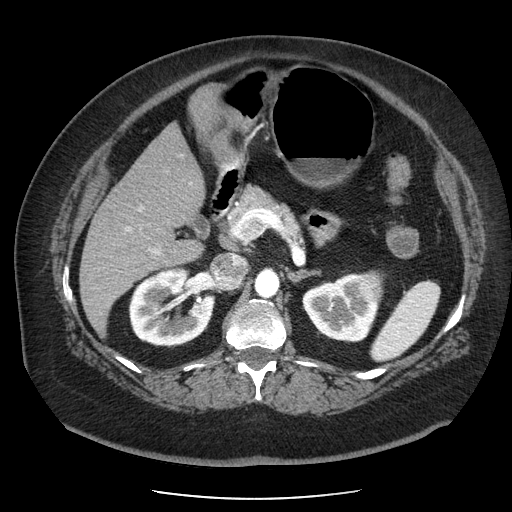
Arterial-phase contrast-enhanced abdominal CT, axial slice 134 of 186 (counted from the lowest slice); tube voltage 120 kVp, convolution kernel STANDARD; slices 2.50 mm thick, 0.742 mm per pixel.
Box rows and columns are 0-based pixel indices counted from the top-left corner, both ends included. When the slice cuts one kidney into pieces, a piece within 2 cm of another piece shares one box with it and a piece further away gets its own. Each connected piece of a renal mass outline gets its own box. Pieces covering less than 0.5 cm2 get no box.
Two kidney boxes and one renal mass box on this slice; by box centre, from the image's left to its right: (1) Right kidney at rows 266–347, columns 128–215 (outlined area 5,261 px, about 29.0 cm2). (2) Box rows 273–341, columns 302–379: left kidney (outlined area 3,567 px, about 19.6 cm2). (3) Left renal mass at rows 269–304, columns 356–384 (outlined area 772 px, about 4.3 cm2).